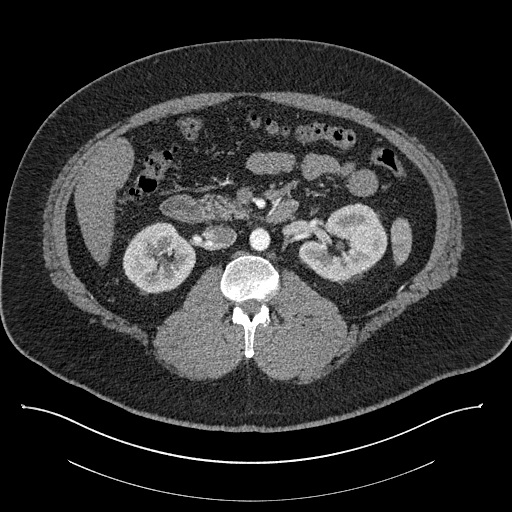
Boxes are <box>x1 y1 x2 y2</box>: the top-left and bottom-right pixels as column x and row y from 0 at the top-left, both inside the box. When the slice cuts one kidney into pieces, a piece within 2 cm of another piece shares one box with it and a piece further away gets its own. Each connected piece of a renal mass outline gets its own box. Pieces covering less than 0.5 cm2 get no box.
Contrast-enhanced abdominal CT, axial slice 490 of 787 (counted from the lowest slice); 1.00 mm thick, 0.910 mm per pixel. Two kidney boxes on this slice; by box centre, from the image's left to its right: (1) Right kidney: <box>122 222 196 294</box> (outlined area 3,939 px, about 32.6 cm2). (2) At <box>298 202 387 281</box>: left kidney (outlined area 4,811 px, about 39.9 cm2). No renal mass is outlined on this slice.
Tube voltage 140 kVp; convolution kernel I30f.